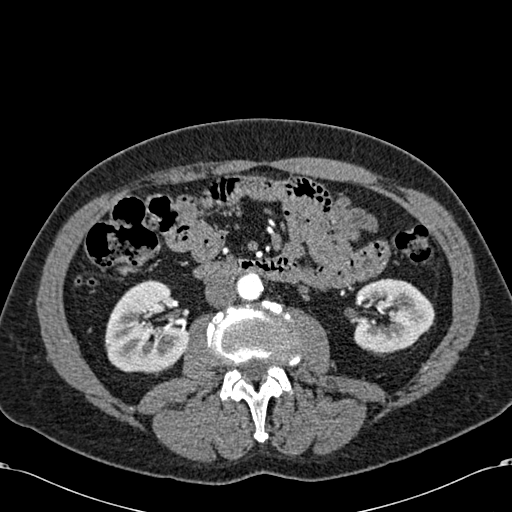
Abdominal CT with intravenous contrast, arterial phase, axial plane, 120 kVp, kernel B30f. Slice 301/581 from the bottom of the scan; thickness 1.00 mm; pixel size 0.713 mm.
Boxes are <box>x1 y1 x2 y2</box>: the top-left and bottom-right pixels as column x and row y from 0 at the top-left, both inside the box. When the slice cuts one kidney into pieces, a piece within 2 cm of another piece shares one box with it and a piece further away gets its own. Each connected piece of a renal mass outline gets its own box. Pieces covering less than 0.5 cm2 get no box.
Two kidney boxes on this slice; by box centre, from the image's left to its right: (1) At <box>105 279 189 373</box>: right kidney (outlined area 5,891 px, about 29.9 cm2). (2) Left kidney at <box>353 278 434 353</box> (outlined area 4,577 px, about 23.3 cm2). No renal mass outline on this slice.